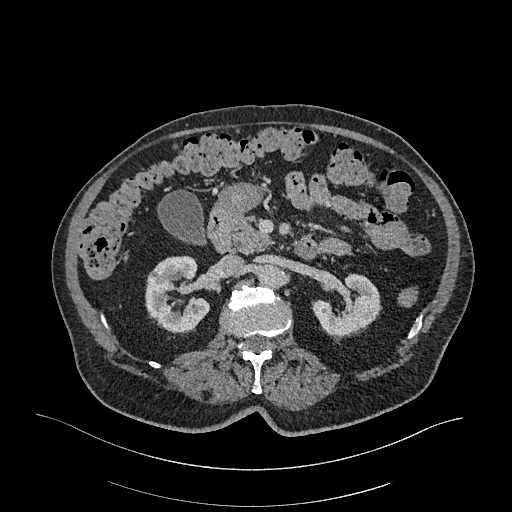
One axial slice (181 of 470, counting up from the lowest) of an arterial-phase abdominal CT acquired with 120 kVp, kernel I26f; each pixel is 0.938 mm and the slice is 1.00 mm thick.
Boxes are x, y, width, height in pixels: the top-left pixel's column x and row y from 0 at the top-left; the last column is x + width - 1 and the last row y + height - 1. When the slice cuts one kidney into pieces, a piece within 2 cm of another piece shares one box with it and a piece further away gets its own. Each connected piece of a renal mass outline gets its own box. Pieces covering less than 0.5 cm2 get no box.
Two boxes on this slice (two kidney boxes), listed by box centre from the image's left to its right. (1) Right kidney, box x 145, y 255, width 66, height 79 (outlined area 3,616 px, about 31.8 cm2). (2) Box x 312, y 273, width 70, height 62: left kidney (outlined area 2,786 px, about 24.5 cm2). No renal mass is outlined on this slice.